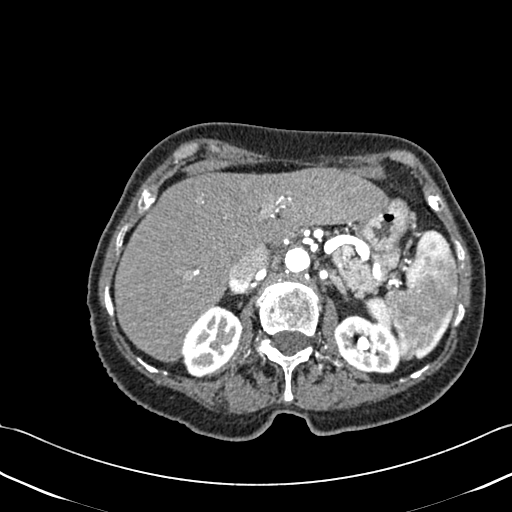
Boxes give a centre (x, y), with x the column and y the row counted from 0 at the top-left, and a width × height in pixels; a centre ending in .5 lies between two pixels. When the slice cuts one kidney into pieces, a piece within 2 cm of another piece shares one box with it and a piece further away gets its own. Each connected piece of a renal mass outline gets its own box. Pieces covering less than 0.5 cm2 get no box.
Contrast-enhanced abdominal CT, axial slice 308 of 433 (counted from the lowest slice); 1.00 mm thick, 0.672 mm per pixel. Boxed on this slice (two kidney boxes), listed by box centre from the image's left to its right: (1) Right kidney in a box with centre (212, 341), 63 × 73 pixels (outlined area 3,084 px, about 13.9 cm2). (2) Left kidney, box centre (367, 343.5), 67 × 60 pixels (outlined area 2,894 px, about 13.1 cm2). No renal mass outline on this slice.
Tube voltage 120 kVp; convolution kernel B30f.